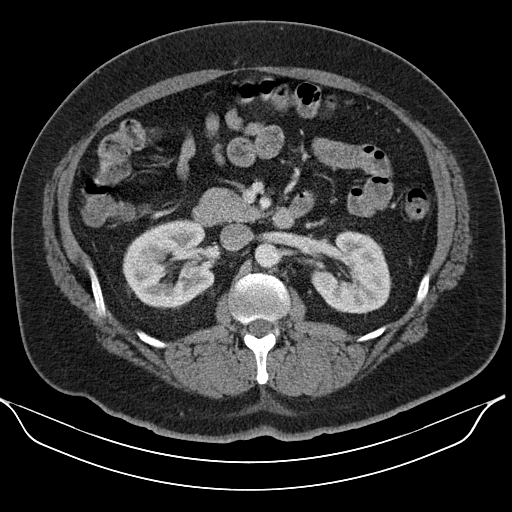
One axial slice (70 of 110, counting up from the lowest) of an arterial-phase abdominal CT acquired with 130 kVp, kernel B30s; each pixel is 0.836 mm and the slice is 5.00 mm thick.
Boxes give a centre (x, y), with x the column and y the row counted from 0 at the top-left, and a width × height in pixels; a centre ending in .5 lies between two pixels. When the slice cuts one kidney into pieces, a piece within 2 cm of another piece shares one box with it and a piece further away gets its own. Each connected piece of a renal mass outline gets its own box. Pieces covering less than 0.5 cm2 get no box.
Boxed on this slice (two kidney boxes), listed by box centre from the image's left to its right: (1) Right kidney, box centre (168, 264), 93 × 91 pixels (outlined area 6,264 px, about 43.8 cm2). (2) Left kidney in a box with centre (351, 271.5), 81 × 84 pixels (outlined area 4,810 px, about 33.6 cm2). No renal mass is outlined on this slice.